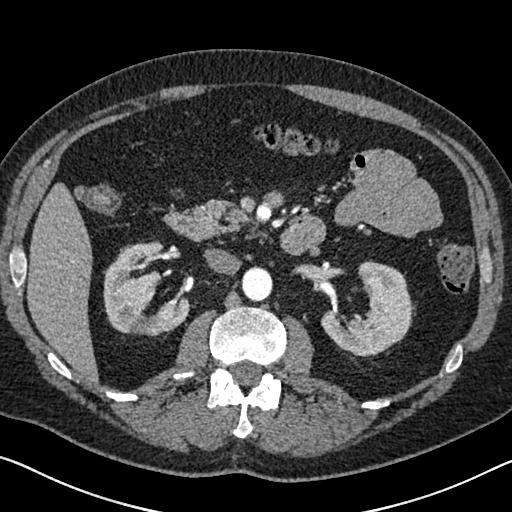
Abdominal CT with intravenous contrast, arterial phase, axial plane, 120 kVp, kernel I30f. Slice 404/626 from the bottom of the scan; thickness 1.00 mm; pixel size 0.703 mm.
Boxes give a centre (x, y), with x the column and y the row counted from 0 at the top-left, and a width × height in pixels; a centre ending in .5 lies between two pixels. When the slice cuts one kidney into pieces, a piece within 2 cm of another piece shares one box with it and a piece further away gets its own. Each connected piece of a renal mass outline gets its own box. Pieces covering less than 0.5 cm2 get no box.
Two kidney boxes on this slice; by box centre, from the image's left to its right: (1) Right kidney in a box with centre (146, 288.5), 87 × 96 pixels (outlined area 5,388 px, about 26.6 cm2). (2) Left kidney, box centre (367.5, 308), 94 × 97 pixels (outlined area 5,287 px, about 26.1 cm2). No renal mass outline on this slice.